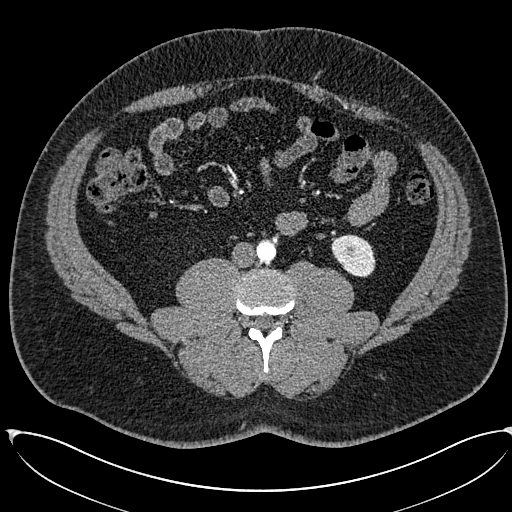
Abdominal CT with intravenous contrast, arterial phase, axial plane, 120 kVp, kernel I30f. Slice 234/673 from the bottom of the scan; thickness 1.00 mm; pixel size 0.855 mm.
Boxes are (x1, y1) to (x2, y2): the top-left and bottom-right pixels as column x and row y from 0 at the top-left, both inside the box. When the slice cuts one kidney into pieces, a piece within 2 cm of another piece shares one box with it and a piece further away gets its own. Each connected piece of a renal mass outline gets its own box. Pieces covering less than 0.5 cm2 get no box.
Box (331, 234) to (375, 277): left kidney (outlined area 1,427 px, about 10.4 cm2). This slice carries no renal mass outline.